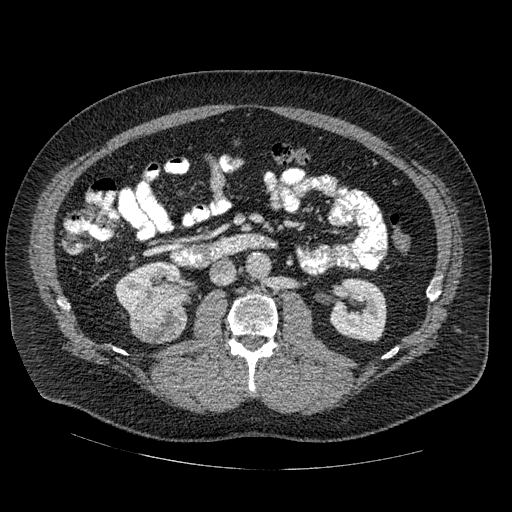
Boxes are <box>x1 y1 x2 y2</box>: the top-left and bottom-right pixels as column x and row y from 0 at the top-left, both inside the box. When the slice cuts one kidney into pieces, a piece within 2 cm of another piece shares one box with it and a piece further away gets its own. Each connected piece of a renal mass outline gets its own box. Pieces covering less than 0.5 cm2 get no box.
Arterial-phase contrast-enhanced abdominal CT, axial slice 263 of 445 (counted from the lowest slice); 1.25 mm thick, 0.863 mm per pixel. Two kidney boxes and one renal mass box on this slice; by box centre, from the image's left to its right: (1) Right kidney: <box>115 261 189 314</box> (outlined area 2,743 px, about 20.4 cm2). (2) At <box>129 305 187 343</box>: right renal mass (outlined area 1,866 px, about 13.9 cm2). (3) Left kidney at <box>329 278 386 341</box> (outlined area 2,818 px, about 21.0 cm2).
Tube voltage 120 kVp; convolution kernel STANDARD.